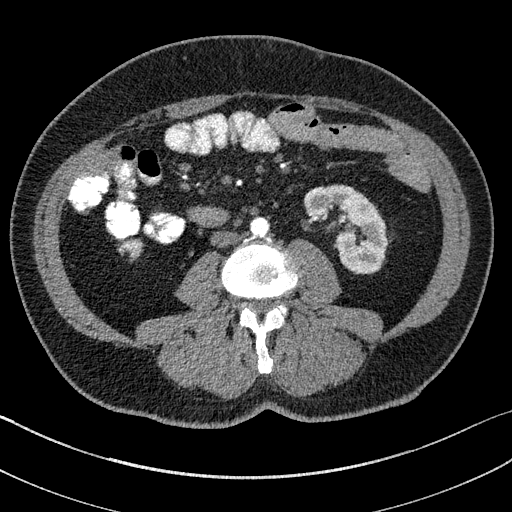
Abdominal CT with intravenous contrast, arterial phase, axial plane, 100 kVp, kernel I31f. Slice 55/195 from the bottom of the scan; thickness 1.50 mm; pixel size 0.707 mm.
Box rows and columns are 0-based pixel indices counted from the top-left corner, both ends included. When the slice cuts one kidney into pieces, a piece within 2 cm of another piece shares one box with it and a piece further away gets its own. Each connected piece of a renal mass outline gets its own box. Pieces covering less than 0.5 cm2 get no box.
Two kidney boxes on this slice; by box centre, from the image's left to its right: (1) Right kidney, box rows 237–259, columns 118–142 (outlined area 378 px, about 1.9 cm2). (2) Box rows 185–273, columns 304–388: left kidney (outlined area 4,487 px, about 22.4 cm2). No renal mass is outlined on this slice.